Arterial-phase contrast-enhanced abdominal CT, axial slice 32 of 61 (counted from the lowest slice); tube voltage 140 kVp, convolution kernel I41f; slices 3.00 mm thick, 0.947 mm per pixel.
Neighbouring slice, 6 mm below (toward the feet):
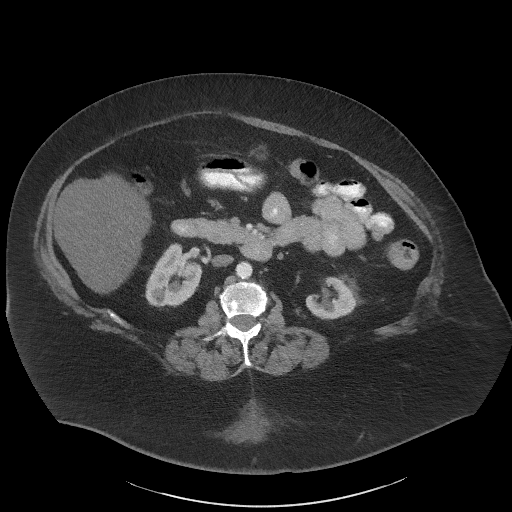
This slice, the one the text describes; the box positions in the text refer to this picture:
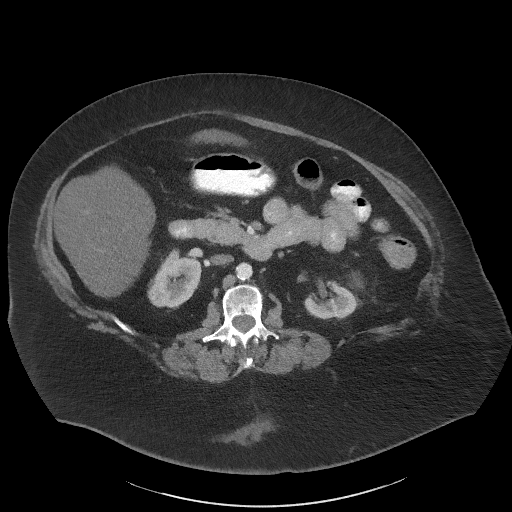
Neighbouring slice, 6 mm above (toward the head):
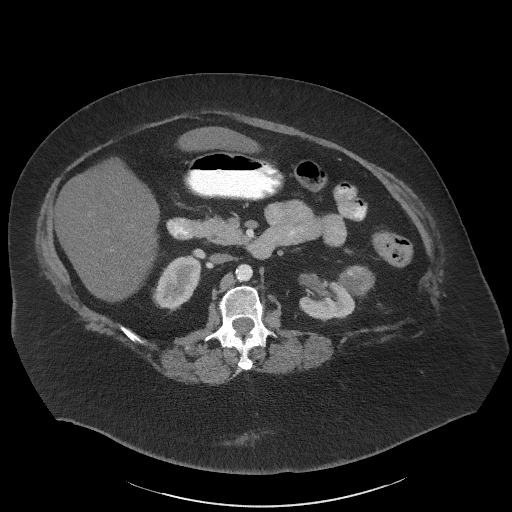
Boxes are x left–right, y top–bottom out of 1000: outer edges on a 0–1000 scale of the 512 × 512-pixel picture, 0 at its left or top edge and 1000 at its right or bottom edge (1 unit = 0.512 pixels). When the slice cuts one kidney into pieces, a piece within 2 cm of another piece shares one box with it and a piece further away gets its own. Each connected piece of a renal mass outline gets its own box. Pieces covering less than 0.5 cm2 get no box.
Boxed on this slice (two kidney boxes and one renal mass box), listed by box centre from the image's left to its right: (1) Box x 287–395, y 484–602 out of 1000: right kidney (outlined area 2,310 px, about 20.7 cm2). (2) Left kidney, box x 594–697, y 545–623 out of 1000 (outlined area 1,514 px, about 13.6 cm2). (3) Left renal mass at x 680–705, y 541–566 out of 1000 (outlined area 103 px, about 0.9 cm2). This slice is near the end of the left renal mass toward the feet, so the slices 6 mm below and 6 mm above it are shown as well; the boxes refer to this slice only.